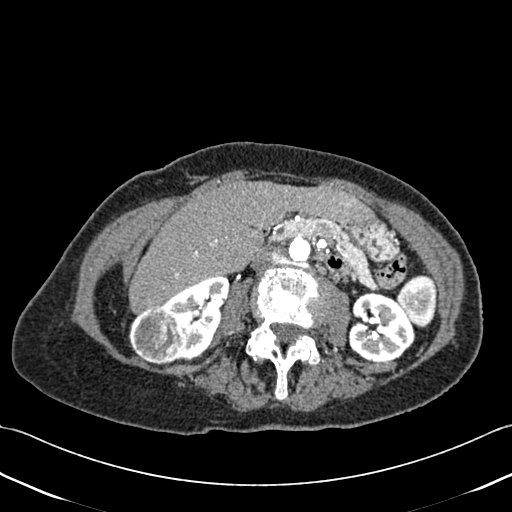
Abdominal CT with intravenous contrast, axial plane, 120 kVp, kernel B30f. Slice 223/433 from the bottom of the scan; thickness 1.00 mm; pixel size 0.672 mm.
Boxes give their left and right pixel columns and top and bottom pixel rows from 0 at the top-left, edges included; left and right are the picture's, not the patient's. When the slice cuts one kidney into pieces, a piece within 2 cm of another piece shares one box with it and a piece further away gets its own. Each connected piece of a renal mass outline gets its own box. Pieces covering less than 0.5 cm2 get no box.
Two kidney boxes and one renal mass box on this slice; by box centre, from the image's left to its right: (1) Right renal mass, the box with left 128, top 305, right 187, bottom 364 (outlined area 2,715 px, about 12.3 cm2). (2) Right kidney in the box with left 160, top 275, right 229, bottom 361 (outlined area 3,028 px, about 13.7 cm2). (3) Left kidney in the box with left 347, top 291, right 415, bottom 362 (outlined area 3,642 px, about 16.4 cm2).